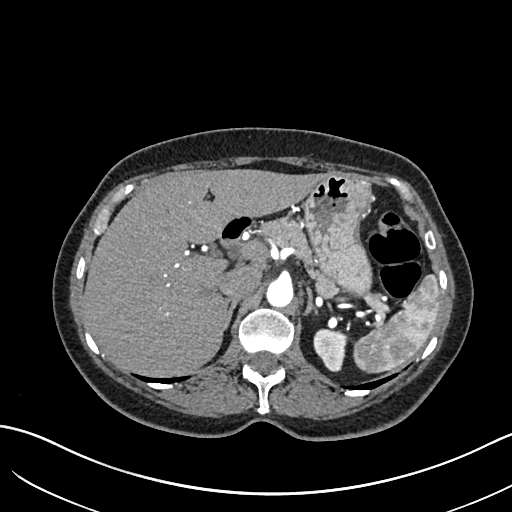
One axial slice (468 of 683, counting up from the lowest) of an arterial-phase abdominal CT acquired with 120 kVp, kernel I30f; each pixel is 0.738 mm and the slice is 1.00 mm thick.
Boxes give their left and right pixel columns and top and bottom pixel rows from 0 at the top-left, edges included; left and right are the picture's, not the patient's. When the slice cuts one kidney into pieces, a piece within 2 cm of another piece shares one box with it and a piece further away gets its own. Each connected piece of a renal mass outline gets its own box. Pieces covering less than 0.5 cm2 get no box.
Box with left 313, top 329, right 348, bottom 372: left kidney (outlined area 1,128 px, about 6.1 cm2). No renal mass outline on this slice.